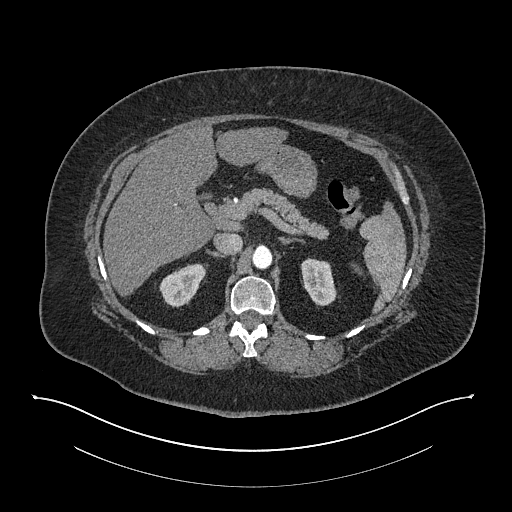
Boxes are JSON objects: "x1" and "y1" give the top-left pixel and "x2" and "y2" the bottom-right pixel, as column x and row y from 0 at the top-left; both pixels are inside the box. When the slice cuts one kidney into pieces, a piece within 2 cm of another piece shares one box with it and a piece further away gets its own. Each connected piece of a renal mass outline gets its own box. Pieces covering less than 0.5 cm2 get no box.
Arterial-phase contrast-enhanced abdominal CT, axial slice 552 of 673 (counted from the lowest slice); 1.00 mm thick, 0.957 mm per pixel. Two boxes on this slice (two kidney boxes), listed by box centre from the image's left to its right. (1) Right kidney, box {"x1": 159, "y1": 263, "x2": 208, "y2": 307} (outlined area 1,405 px, about 12.9 cm2). (2) Box {"x1": 300, "y1": 258, "x2": 336, "y2": 306}: left kidney (outlined area 1,309 px, about 12.0 cm2). No renal mass is outlined on this slice.
Acquired at 140 kVp and reconstructed with the I30f kernel.